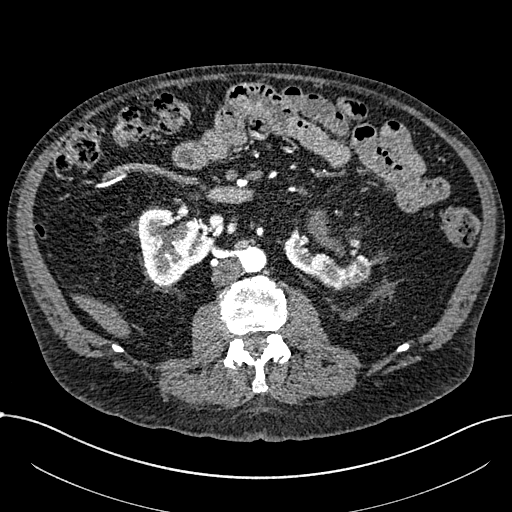
Axial slice 347 of 1059 of a contrast-enhanced abdominal CT in the arterial phase (slice 1 is the lowest), 100 kVp, kernel I30f; 1.00 mm slice thickness and 0.811 mm pixels.
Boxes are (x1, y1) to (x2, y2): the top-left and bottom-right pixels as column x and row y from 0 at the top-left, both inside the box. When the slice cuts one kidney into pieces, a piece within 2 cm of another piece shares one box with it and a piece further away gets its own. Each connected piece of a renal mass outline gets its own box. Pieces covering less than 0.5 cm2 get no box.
Two boxes on this slice (two kidney boxes), listed by box centre from the image's left to its right. (1) Right part of the midline-crossing kidney from (137, 206) to (212, 286) (outlined area 4,074 px, about 26.8 cm2). (2) Left part of the midline-crossing kidney, box (283, 232) to (371, 290) (outlined area 2,798 px, about 18.4 cm2). No renal mass outline on this slice.